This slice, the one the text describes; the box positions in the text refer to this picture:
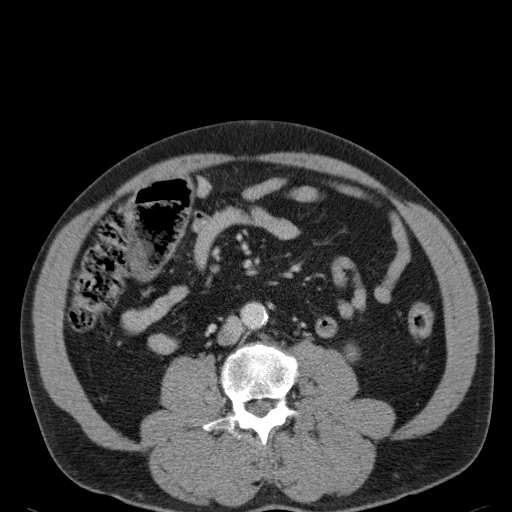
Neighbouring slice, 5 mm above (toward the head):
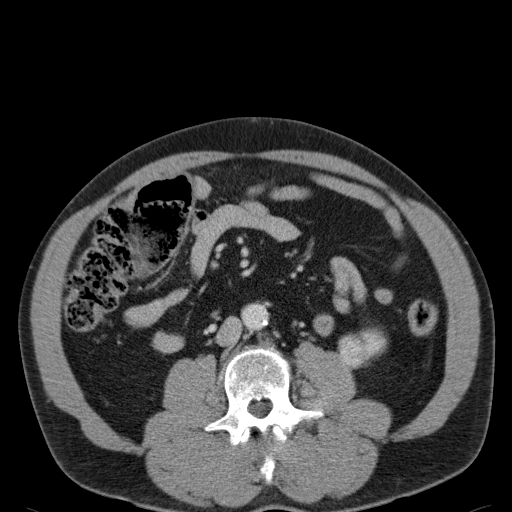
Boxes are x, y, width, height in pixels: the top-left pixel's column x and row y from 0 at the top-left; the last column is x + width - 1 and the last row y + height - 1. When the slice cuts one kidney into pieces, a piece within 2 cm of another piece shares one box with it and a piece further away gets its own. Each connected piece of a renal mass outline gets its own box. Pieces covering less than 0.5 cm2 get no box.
Slice 56/107 of a contrast-enhanced abdominal CT, counting up from the lowest; pixel size 0.730 mm, slice thickness 5.00 mm. Left renal mass at x 342, y 343, width 18, height 20 (outlined area 231 px, about 1.2 cm2); no kidney is outlined on this slice, but the same outlined renal mass comes within 1 cm of the kidney on another slice. This slice lies near the end of the left renal mass toward the feet; the slice 5 mm above it is shown too, and the boxes mark positions on this slice only.
Acquired at 120 kVp and reconstructed with the B31f kernel.